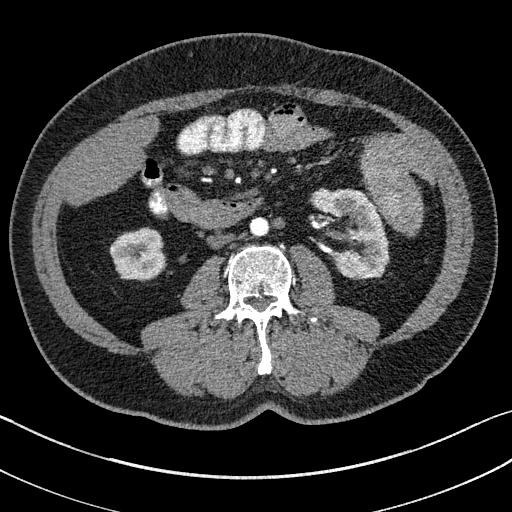
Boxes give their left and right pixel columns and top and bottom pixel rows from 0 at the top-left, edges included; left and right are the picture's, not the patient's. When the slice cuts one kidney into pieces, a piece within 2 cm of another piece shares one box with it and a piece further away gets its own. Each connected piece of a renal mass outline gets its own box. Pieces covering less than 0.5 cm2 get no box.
This is axial slice 64 of 195 (slice 1 is the lowest) of an arterial-phase abdominal CT with contrast; each pixel is 0.707 mm and the slice is 1.50 mm thick. Boxed on this slice (two kidney boxes), listed by box centre from the image's left to its right: (1) Right kidney, the box with left 110, top 228, right 165, bottom 280 (outlined area 2,308 px, about 11.5 cm2). (2) Box with left 311, top 188, right 389, bottom 278: left kidney (outlined area 4,568 px, about 22.8 cm2). No renal mass is outlined on this slice.
Tube voltage 100 kVp; convolution kernel I31f.